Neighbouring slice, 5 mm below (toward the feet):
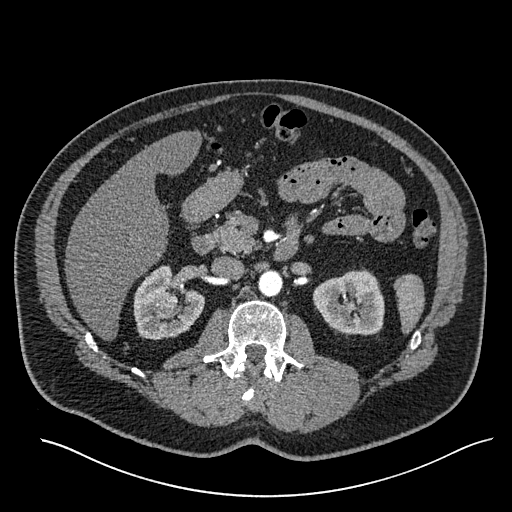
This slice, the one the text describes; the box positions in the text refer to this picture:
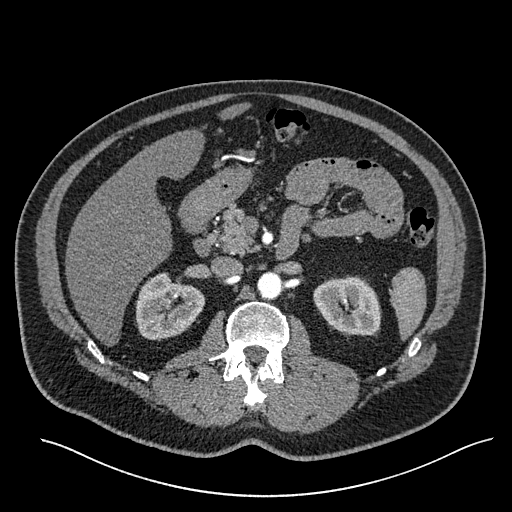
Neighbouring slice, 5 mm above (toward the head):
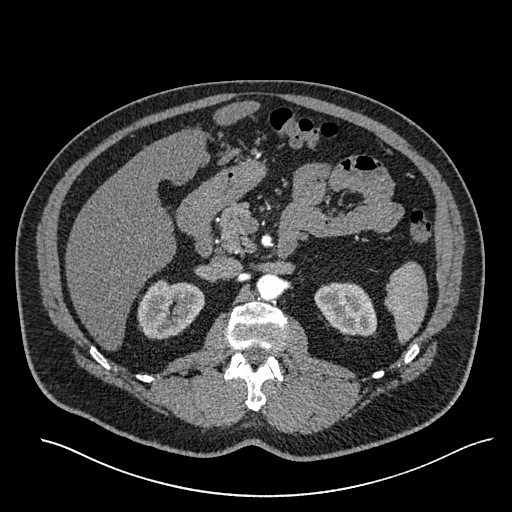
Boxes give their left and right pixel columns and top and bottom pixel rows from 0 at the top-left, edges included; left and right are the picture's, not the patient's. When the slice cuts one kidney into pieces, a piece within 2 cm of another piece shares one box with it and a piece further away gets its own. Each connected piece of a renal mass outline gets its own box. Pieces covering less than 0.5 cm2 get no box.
This is axial slice 358 of 527 (slice 1 is the lowest) of an arterial-phase abdominal CT with contrast; each pixel is 0.859 mm and the slice is 1.00 mm thick. Two kidney boxes and one renal mass box on this slice; by box centre, from the image's left to its right: (1) Right renal mass in the box with left 160, top 297, right 172, bottom 309 (outlined area 137 px, about 1.0 cm2). (2) Box with left 135, top 272, right 205, bottom 341: right kidney (outlined area 3,295 px, about 24.3 cm2). (3) Left kidney, the box with left 313, top 275, right 381, bottom 335 (outlined area 3,209 px, about 23.7 cm2). This slice is near the end of the right renal mass toward the head, so the slices 5 mm below and 5 mm above it are shown as well; the boxes refer to this slice only.
Acquired at 120 kVp and reconstructed with the I30f kernel.